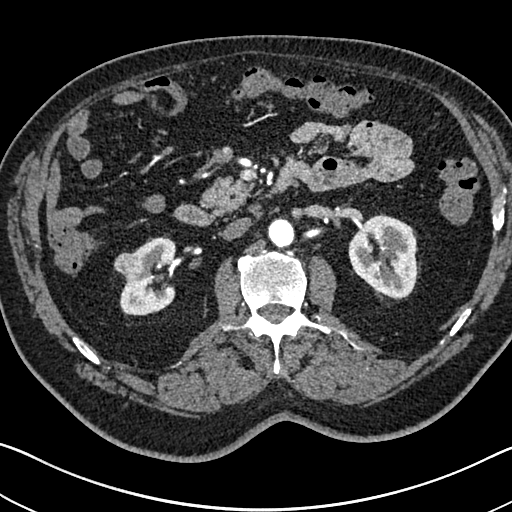
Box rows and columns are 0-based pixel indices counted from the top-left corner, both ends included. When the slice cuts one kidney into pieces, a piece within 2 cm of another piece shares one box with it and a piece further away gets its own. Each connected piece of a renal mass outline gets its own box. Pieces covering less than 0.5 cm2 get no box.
This is axial slice 417 of 705 (slice 1 is the lowest) of an arterial-phase abdominal CT with contrast; each pixel is 0.703 mm and the slice is 1.00 mm thick. Two kidney boxes and one renal mass box on this slice; by box centre, from the image's left to its right: (1) Right renal mass at rows 252–280, columns 113–144 (outlined area 647 px, about 3.2 cm2). (2) Box rows 235–315, columns 119–176: right kidney (outlined area 3,037 px, about 15.0 cm2). (3) Left kidney at rows 213–299, columns 348–420 (outlined area 4,541 px, about 22.5 cm2).
Scan settings: 120 kVp, I30f reconstruction kernel.